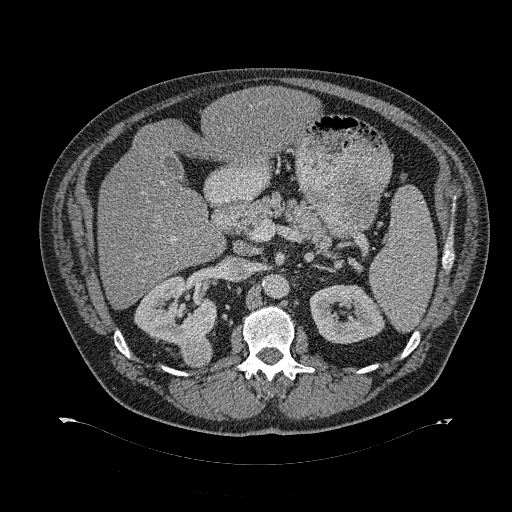
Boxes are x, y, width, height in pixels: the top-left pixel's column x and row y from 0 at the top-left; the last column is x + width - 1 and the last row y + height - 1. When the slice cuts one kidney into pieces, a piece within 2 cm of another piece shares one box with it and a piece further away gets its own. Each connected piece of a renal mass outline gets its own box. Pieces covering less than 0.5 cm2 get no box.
Slice 200/274 of a contrast-enhanced abdominal CT, counting up from the lowest; pixel size 0.977 mm, slice thickness 2.00 mm. Boxed on this slice (two kidney boxes and one renal mass box), listed by box centre from the image's left to its right: (1) Box x 134, y 276, width 83, height 71: right kidney (outlined area 3,758 px, about 35.8 cm2). (2) Box x 179, y 332, width 33, height 36: right renal mass (outlined area 923 px, about 8.8 cm2). (3) Box x 309, y 284, width 77, height 61: left kidney (outlined area 3,389 px, about 32.3 cm2).
Tube voltage 120 kVp; convolution kernel B31f.